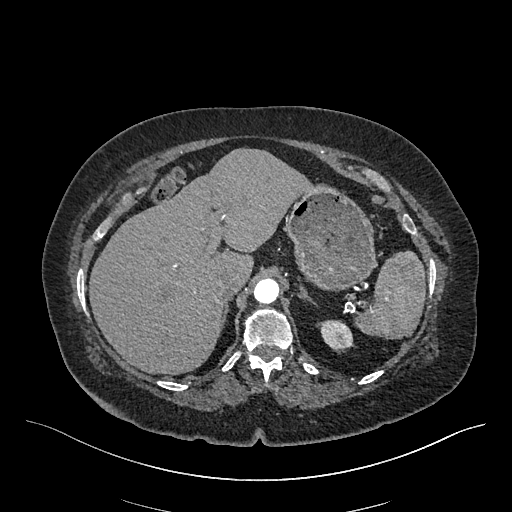
Axial slice 365 of 548 of a contrast-enhanced abdominal CT in the arterial phase (slice 1 is the lowest), 120 kVp, kernel I26f; 1.00 mm slice thickness and 0.852 mm pixels.
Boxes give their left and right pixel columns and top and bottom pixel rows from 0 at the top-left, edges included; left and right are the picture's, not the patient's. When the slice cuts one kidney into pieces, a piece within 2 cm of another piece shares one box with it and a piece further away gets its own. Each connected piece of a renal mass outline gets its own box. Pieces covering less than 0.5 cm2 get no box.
Left kidney, the box with left 316, top 320, right 354, bottom 350 (outlined area 827 px, about 6.0 cm2). This slice carries no renal mass outline.